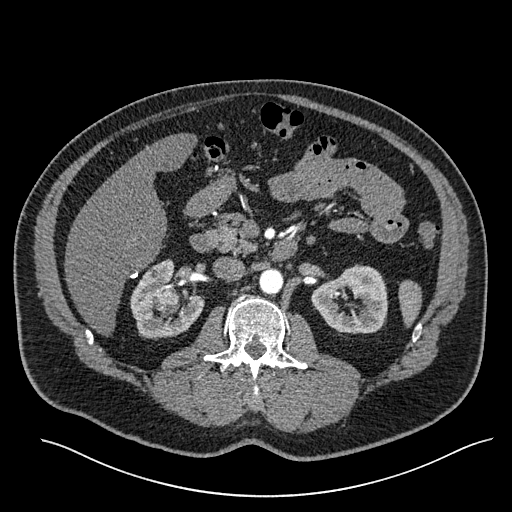
One axial slice (338 of 527, counting up from the lowest) of an arterial-phase abdominal CT acquired with 120 kVp, kernel I30f; each pixel is 0.859 mm and the slice is 1.00 mm thick.
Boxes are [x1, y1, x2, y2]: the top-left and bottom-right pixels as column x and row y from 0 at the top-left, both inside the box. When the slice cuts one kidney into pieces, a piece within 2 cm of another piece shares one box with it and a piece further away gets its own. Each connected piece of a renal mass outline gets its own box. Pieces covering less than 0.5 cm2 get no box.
Three boxes on this slice (two kidney boxes and one renal mass box), listed by box centre from the image's left to its right. (1) Box [130, 259, 203, 339]: right kidney (outlined area 3,612 px, about 26.7 cm2). (2) Right renal mass, box [156, 287, 179, 308] (outlined area 436 px, about 3.2 cm2). (3) Left kidney, box [311, 264, 388, 334] (outlined area 3,884 px, about 28.7 cm2).